Arterial-phase contrast-enhanced abdominal CT, axial slice 389 of 581 (counted from the lowest slice); tube voltage 120 kVp, convolution kernel B30f; slices 1.00 mm thick, 0.713 mm per pixel.
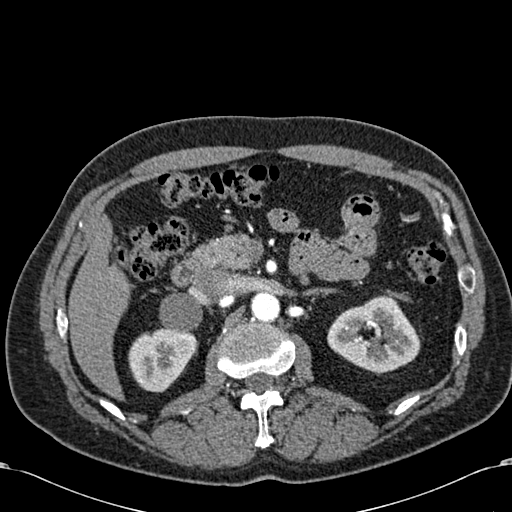
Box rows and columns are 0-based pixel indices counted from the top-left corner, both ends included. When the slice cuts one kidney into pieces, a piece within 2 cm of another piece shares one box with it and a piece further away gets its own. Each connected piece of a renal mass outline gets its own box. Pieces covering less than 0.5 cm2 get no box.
Two boxes on this slice (two kidney boxes), listed by box centre from the image's left to its right. (1) Right kidney, box rows 326–392, columns 128–197 (outlined area 3,280 px, about 16.7 cm2). (2) Left kidney at rows 295–373, columns 327–420 (outlined area 5,001 px, about 25.4 cm2). This slice carries no renal mass outline.